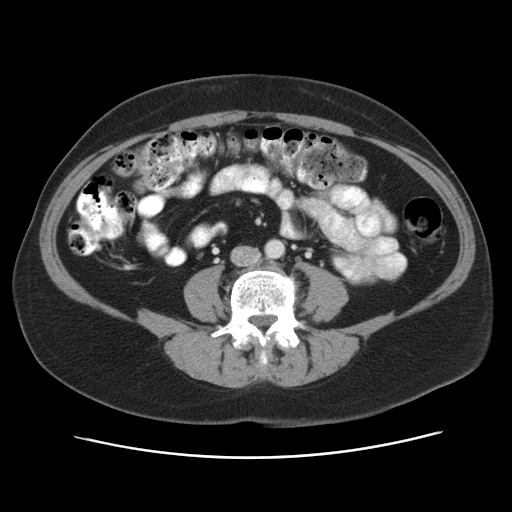
Axial slice 11 of 53 of a contrast-enhanced abdominal CT in the arterial phase (slice 1 is the lowest), 120 kVp, kernel STANDARD; 5.00 mm slice thickness and 0.703 mm pixels.
This slice carries no outline: it lies beyond the outlined kidneys and beyond every outlined renal mass. Other organs are not outlined in this scan.